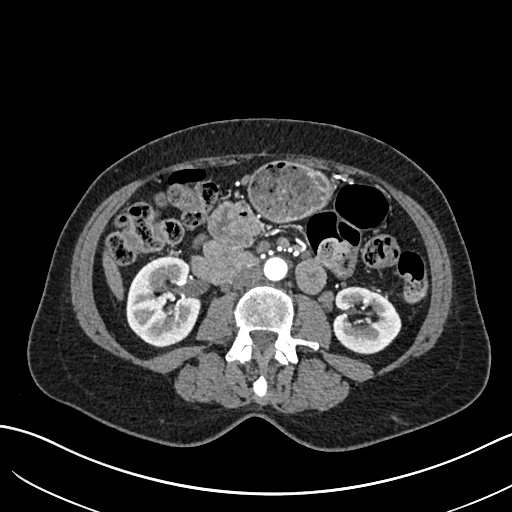
Arterial-phase contrast-enhanced abdominal CT, axial slice 329 of 683 (counted from the lowest slice); tube voltage 120 kVp, convolution kernel I30f; slices 1.00 mm thick, 0.738 mm per pixel.
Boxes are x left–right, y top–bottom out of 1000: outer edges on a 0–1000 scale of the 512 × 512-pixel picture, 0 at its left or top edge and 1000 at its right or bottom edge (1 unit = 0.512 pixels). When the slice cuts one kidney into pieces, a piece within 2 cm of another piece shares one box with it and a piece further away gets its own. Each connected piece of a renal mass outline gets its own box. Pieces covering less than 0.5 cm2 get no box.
Boxed on this slice (two kidney boxes), listed by box centre from the image's left to its right: (1) Box x 246–395, y 498–680 out of 1000: right kidney (outlined area 5,324 px, about 29.0 cm2). (2) Left kidney at x 648–785, y 559–693 out of 1000 (outlined area 3,503 px, about 19.1 cm2). No renal mass is outlined on this slice.